One axial slice (35 of 57, counting up from the lowest) of a contrast-enhanced abdominal CT acquired with 120 kVp, kernel B31f; each pixel is 0.732 mm and the slice is 5.00 mm thick.
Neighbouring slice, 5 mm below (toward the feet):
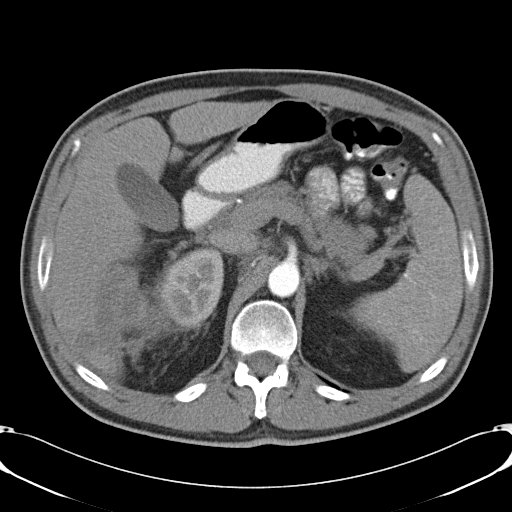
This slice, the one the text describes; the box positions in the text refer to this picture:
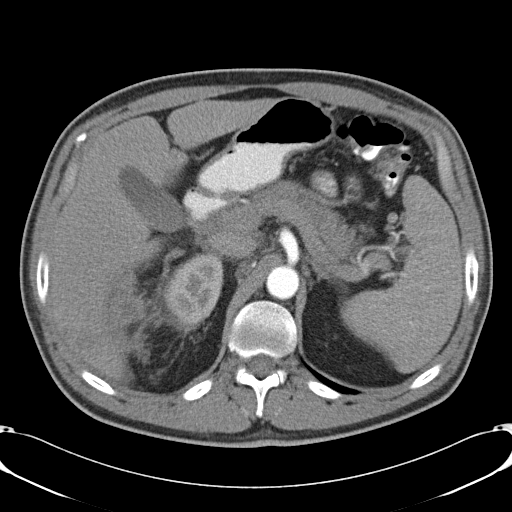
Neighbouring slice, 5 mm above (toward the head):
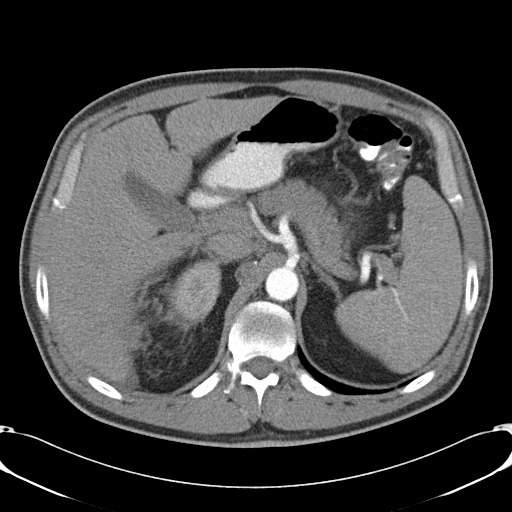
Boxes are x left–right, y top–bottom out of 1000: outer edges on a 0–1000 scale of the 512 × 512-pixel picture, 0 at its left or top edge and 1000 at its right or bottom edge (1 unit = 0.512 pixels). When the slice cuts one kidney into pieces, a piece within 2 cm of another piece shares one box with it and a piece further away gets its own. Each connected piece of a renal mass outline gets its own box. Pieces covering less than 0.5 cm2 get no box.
Two boxes on this slice (one kidney box and one renal mass box), listed by box centre from the image's left to its right. (1) Box x 213–289, y 523–639 out of 1000: right renal mass (outlined area 1,629 px, about 8.7 cm2); here it is more than 1 cm from any kidney outline, though on another slice the same outlined renal mass lies within 1 cm of the kidney. (2) Right kidney, box x 316–438, y 492–635 out of 1000 (outlined area 3,292 px, about 17.7 cm2). This slice is near the end of the right renal mass toward the head, so the slices 5 mm below and 5 mm above it are shown as well; the boxes refer to this slice only.